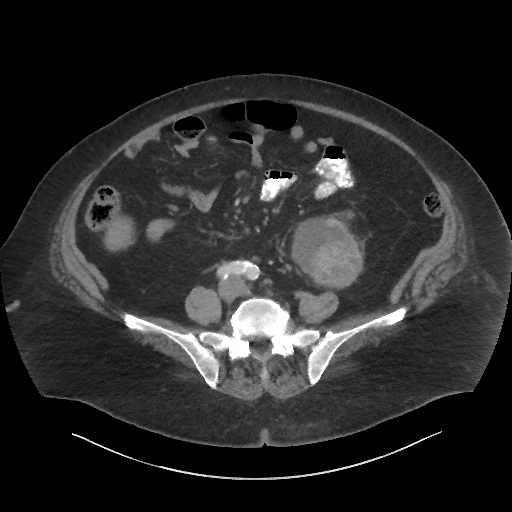
Abdominal CT with intravenous contrast, axial plane, 140 kVp, kernel I44f. Slice 11/86 from the bottom of the scan; thickness 3.00 mm; pixel size 0.977 mm.
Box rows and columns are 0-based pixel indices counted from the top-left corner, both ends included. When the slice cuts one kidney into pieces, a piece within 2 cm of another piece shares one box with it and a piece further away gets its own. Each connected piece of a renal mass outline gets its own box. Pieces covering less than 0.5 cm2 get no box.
Left renal mass, box rows 215–288, columns 291–363 (outlined area 4,060 px, about 38.7 cm2); no kidney outline appears on this slice, but the same outlined renal mass comes within 1 cm of the kidney on another slice.